Abdominal CT with intravenous contrast, arterial phase, axial plane, 100 kVp, kernel I26f. Slice 345/665 from the bottom of the scan; thickness 1.00 mm; pixel size 0.828 mm.
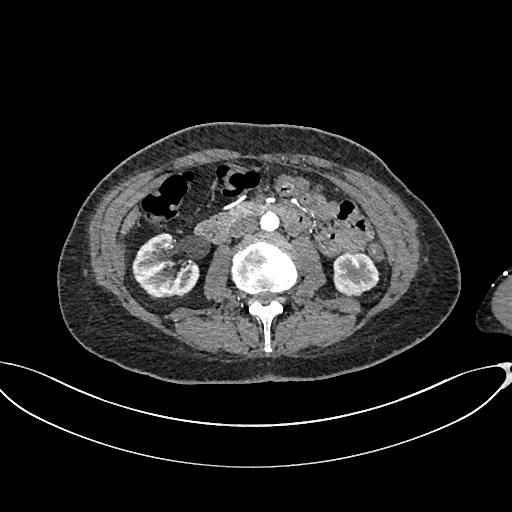
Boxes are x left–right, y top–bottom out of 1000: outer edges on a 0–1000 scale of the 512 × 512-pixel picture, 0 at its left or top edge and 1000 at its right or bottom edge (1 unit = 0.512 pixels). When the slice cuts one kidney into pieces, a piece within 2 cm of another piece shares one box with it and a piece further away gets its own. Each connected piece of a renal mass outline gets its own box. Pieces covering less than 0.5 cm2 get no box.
Boxed on this slice (two kidney boxes), listed by box centre from the image's left to its right: (1) Right kidney, box x 258–391, y 455–584 out of 1000 (outlined area 3,120 px, about 21.4 cm2). (2) Left kidney at x 650–740, y 494–578 out of 1000 (outlined area 1,640 px, about 11.2 cm2). This slice carries no renal mass outline.